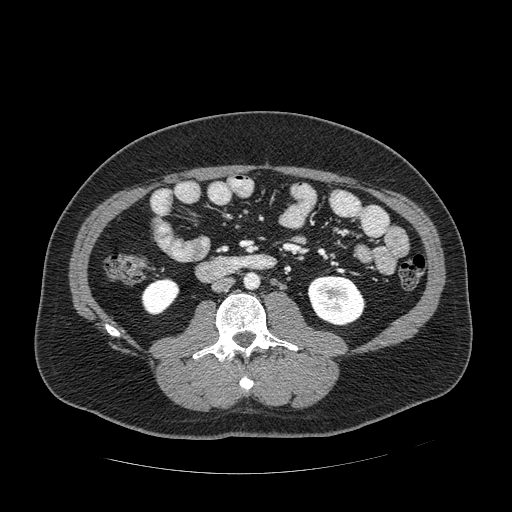
Axial slice 226 of 389 of a contrast-enhanced abdominal CT in the arterial phase (slice 1 is the lowest), 120 kVp, kernel STANDARD; 1.25 mm slice thickness and 0.869 mm pixels.
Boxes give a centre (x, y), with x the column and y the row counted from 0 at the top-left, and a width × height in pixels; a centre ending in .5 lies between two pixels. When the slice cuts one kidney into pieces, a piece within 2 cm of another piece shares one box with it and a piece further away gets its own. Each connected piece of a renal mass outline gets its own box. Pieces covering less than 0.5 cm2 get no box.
Two boxes on this slice (two kidney boxes), listed by box centre from the image's left to its right. (1) Right kidney, box centre (160, 296.5), 39 × 38 pixels (outlined area 1,045 px, about 7.9 cm2). (2) Left kidney in a box with centre (335.5, 300), 58 × 51 pixels (outlined area 2,266 px, about 17.1 cm2). No renal mass is outlined on this slice.